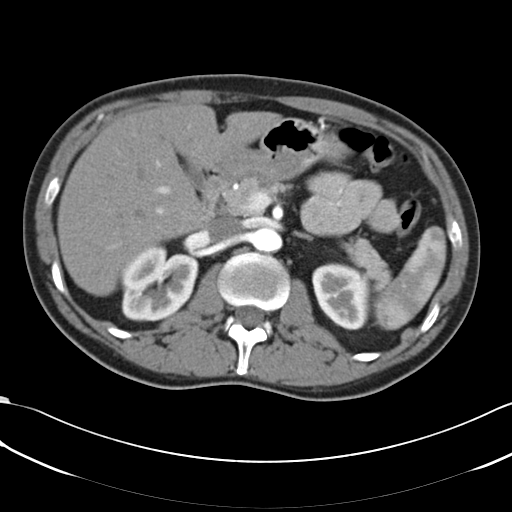
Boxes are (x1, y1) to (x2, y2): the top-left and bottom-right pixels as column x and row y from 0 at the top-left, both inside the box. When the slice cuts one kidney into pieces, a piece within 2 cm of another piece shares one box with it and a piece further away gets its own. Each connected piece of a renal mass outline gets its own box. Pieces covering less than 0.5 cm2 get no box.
Slice 42/66 of a contrast-enhanced abdominal CT in the arterial phase, counting up from the lowest; pixel size 0.678 mm, slice thickness 5.00 mm. Boxed on this slice (two kidney boxes), listed by box centre from the image's left to its right: (1) Right kidney, box (121, 246) to (198, 321) (outlined area 4,519 px, about 20.8 cm2). (2) Box (312, 262) to (370, 330): left kidney (outlined area 3,071 px, about 14.1 cm2). No renal mass is outlined on this slice.
Acquired at 120 kVp and reconstructed with the B30f kernel.